Arterial-phase contrast-enhanced abdominal CT, axial slice 74 of 140 (counted from the lowest slice); tube voltage 120 kVp, convolution kernel B31f; slices 5.00 mm thick, 0.754 mm per pixel.
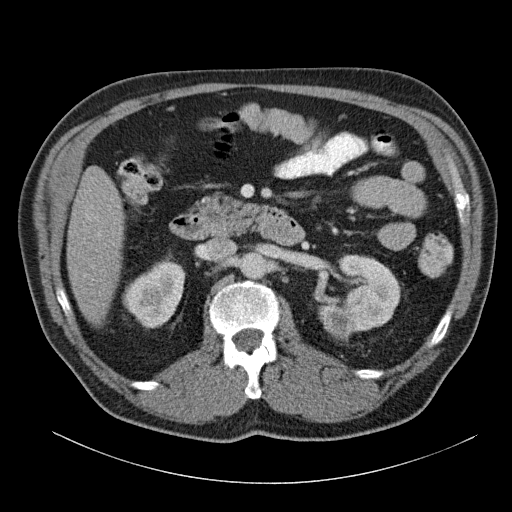
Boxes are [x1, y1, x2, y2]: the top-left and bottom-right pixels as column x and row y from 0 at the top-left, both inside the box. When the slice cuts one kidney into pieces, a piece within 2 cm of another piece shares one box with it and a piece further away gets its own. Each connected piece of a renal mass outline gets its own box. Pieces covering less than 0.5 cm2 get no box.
Boxed on this slice (two kidney boxes and one renal mass box), listed by box centre from the image's left to its right: (1) Box [122, 260, 185, 328]: right kidney (outlined area 2,951 px, about 16.8 cm2). (2) Left renal mass, box [324, 308, 349, 339] (outlined area 671 px, about 3.8 cm2). (3) Left kidney at [317, 254, 400, 332] (outlined area 4,119 px, about 23.4 cm2).